Axial slice 409 of 834 of a contrast-enhanced abdominal CT (slice 1 is the lowest), 140 kVp, kernel I30f; 1.00 mm slice thickness and 0.977 mm pixels.
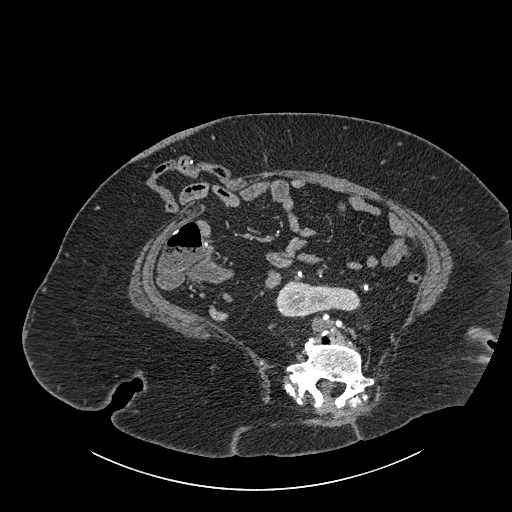
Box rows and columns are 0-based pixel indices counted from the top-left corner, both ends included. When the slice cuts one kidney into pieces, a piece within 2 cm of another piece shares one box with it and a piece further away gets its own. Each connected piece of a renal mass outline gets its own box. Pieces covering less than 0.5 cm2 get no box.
Kidney crossing the body midline, box rows 281–317, columns 275–360 (outlined area 2,299 px, about 21.9 cm2). This slice carries no renal mass outline.